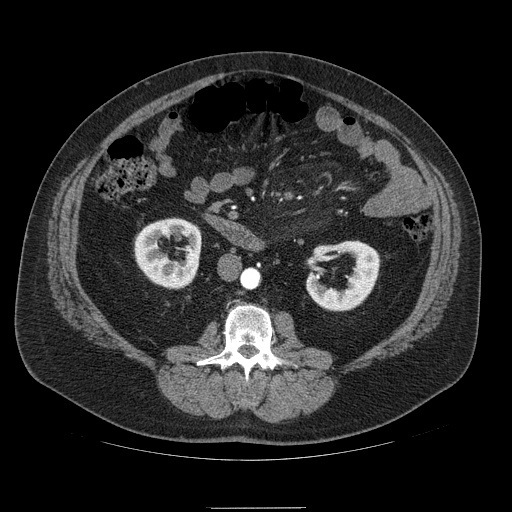
One axial slice (38 of 121, counting up from the lowest) of an arterial-phase abdominal CT acquired with 120 kVp, kernel STANDARD; each pixel is 0.861 mm and the slice is 2.50 mm thick.
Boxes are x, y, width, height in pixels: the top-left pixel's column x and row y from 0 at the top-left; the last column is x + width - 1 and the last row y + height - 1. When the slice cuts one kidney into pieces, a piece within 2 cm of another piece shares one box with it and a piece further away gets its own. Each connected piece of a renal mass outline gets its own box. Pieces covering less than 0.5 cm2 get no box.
Two kidney boxes on this slice; by box centre, from the image's left to its right: (1) Right kidney, box x 134, y 218, width 68, height 71 (outlined area 3,423 px, about 25.4 cm2). (2) Left kidney at x 306, y 241, width 74, height 71 (outlined area 3,296 px, about 24.5 cm2). This slice carries no renal mass outline.